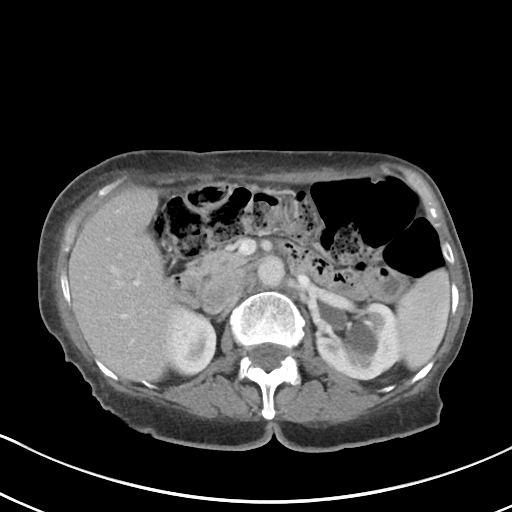
Arterial-phase contrast-enhanced abdominal CT, axial slice 61 of 80 (counted from the lowest slice); tube voltage 100 kVp, convolution kernel I40f; slices 5.00 mm thick, 0.648 mm per pixel.
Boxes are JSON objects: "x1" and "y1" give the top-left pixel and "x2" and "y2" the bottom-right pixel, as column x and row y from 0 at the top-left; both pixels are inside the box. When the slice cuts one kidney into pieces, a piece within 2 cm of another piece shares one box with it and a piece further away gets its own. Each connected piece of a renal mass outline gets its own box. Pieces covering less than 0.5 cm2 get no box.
Two kidney boxes on this slice; by box centre, from the image's left to its right: (1) Box {"x1": 167, "y1": 311, "x2": 216, "y2": 373}: right kidney (outlined area 2,412 px, about 10.1 cm2). (2) Left kidney at {"x1": 317, "y1": 302, "x2": 399, "y2": 379} (outlined area 4,801 px, about 20.2 cm2). No renal mass is outlined on this slice.